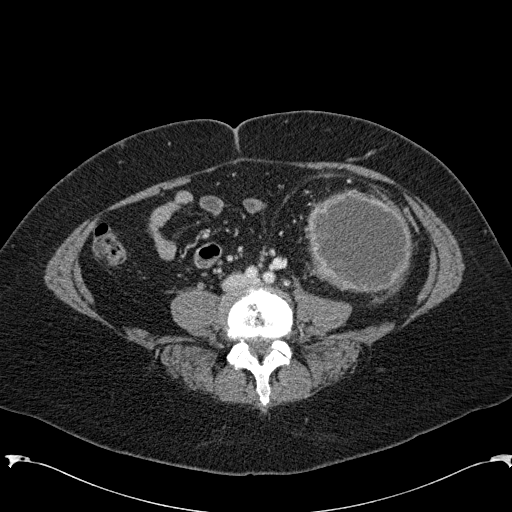
Axial slice 35 of 285 of a contrast-enhanced abdominal CT in the arterial phase (slice 1 is the lowest), 120 kVp, kernel B31f; 2.00 mm slice thickness and 0.762 mm pixels.
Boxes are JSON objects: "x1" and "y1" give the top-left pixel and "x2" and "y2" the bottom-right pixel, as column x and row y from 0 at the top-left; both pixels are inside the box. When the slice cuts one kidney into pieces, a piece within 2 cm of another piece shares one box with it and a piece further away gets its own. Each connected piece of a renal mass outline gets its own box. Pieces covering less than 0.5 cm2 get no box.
Box {"x1": 305, "y1": 189, "x2": 413, "y2": 294}: left renal mass (outlined area 8,788 px, about 51.0 cm2); this slice has no kidney outline, though on another slice the same outlined renal mass lies within 1 cm of the kidney.